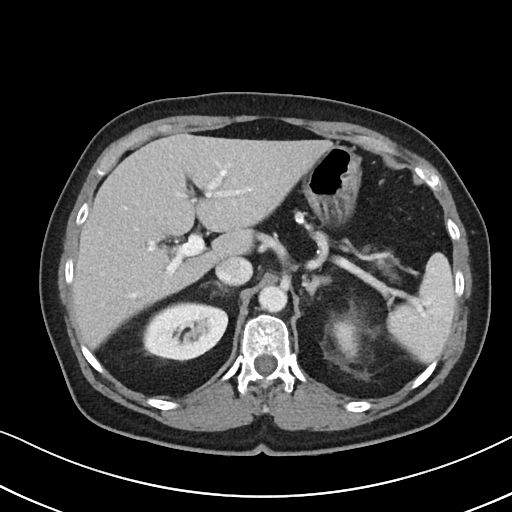
Axial slice 68 of 88 of a contrast-enhanced abdominal CT (slice 1 is the lowest), 100 kVp, kernel I40f; 5.00 mm slice thickness and 0.674 mm pixels.
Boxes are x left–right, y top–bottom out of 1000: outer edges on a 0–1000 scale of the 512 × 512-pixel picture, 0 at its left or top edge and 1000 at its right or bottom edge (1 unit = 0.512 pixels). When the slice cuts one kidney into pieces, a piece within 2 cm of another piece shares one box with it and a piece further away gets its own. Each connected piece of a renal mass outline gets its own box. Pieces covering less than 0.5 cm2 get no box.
Two kidney boxes on this slice; by box centre, from the image's left to its right: (1) Box x 277–447, y 590–707 out of 1000: right kidney (outlined area 3,994 px, about 18.1 cm2). (2) Left kidney at x 645–707, y 621–707 out of 1000 (outlined area 980 px, about 4.4 cm2). No renal mass outline on this slice.